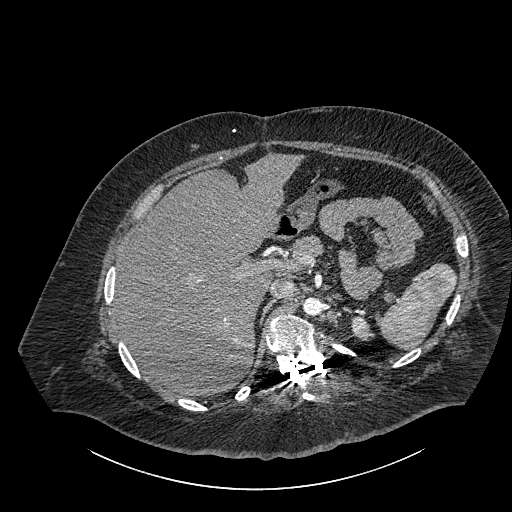
One axial slice (646 of 834, counting up from the lowest) of a contrast-enhanced abdominal CT acquired with 140 kVp, kernel I30f; each pixel is 0.977 mm and the slice is 1.00 mm thick.
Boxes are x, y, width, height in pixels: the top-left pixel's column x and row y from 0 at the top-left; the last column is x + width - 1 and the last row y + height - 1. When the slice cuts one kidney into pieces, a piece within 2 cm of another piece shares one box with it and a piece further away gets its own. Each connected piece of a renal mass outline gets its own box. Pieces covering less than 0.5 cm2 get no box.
Left part of the midline-crossing kidney at x 351, y 316, width 24, height 25 (outlined area 413 px, about 3.9 cm2). No renal mass is outlined on this slice.